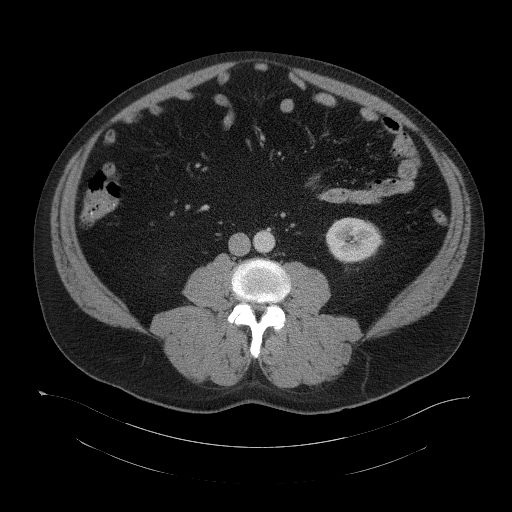
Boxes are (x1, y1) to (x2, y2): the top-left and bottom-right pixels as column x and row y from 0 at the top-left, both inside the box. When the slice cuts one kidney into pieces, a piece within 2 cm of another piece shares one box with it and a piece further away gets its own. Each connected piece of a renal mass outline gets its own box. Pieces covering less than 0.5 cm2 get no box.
Contrast-enhanced abdominal CT, axial slice 55 of 104 (counted from the lowest slice); 5.00 mm thick, 0.977 mm per pixel. Left kidney, box (325, 217) to (383, 263) (outlined area 2,039 px, about 19.4 cm2). No renal mass outline on this slice.
Tube voltage 120 kVp; convolution kernel B41f.